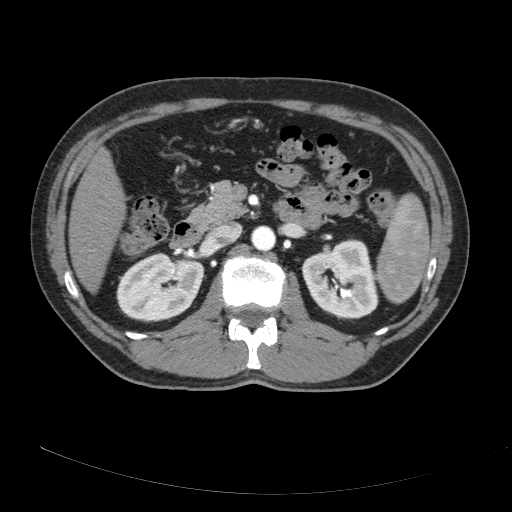
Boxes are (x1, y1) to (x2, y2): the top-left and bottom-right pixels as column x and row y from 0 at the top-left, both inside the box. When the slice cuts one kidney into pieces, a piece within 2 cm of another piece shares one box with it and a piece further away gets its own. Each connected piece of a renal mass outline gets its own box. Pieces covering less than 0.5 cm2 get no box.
Contrast-enhanced abdominal CT, axial slice 114 of 178 (counted from the lowest slice); 3.00 mm thick, 0.818 mm per pixel. Boxed on this slice (two kidney boxes), listed by box centre from the image's left to its right: (1) Right kidney, box (116, 252) to (204, 322) (outlined area 4,736 px, about 31.7 cm2). (2) Box (301, 238) to (378, 319): left kidney (outlined area 4,578 px, about 30.7 cm2). No renal mass is outlined on this slice.
Scan settings: 120 kVp, B reconstruction kernel.